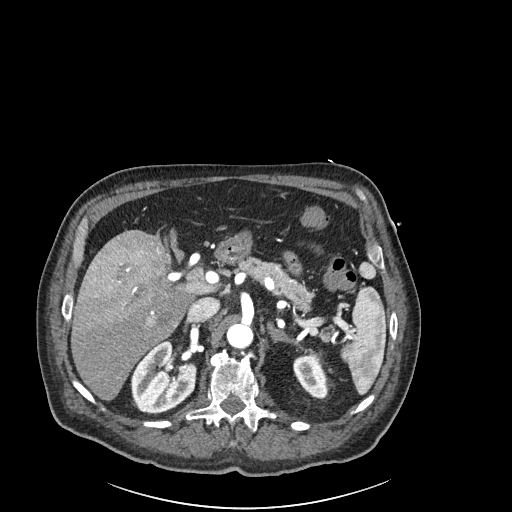
Arterial-phase contrast-enhanced abdominal CT, axial slice 156 of 261 (counted from the lowest slice); tube voltage 120 kVp, convolution kernel I30f; slices 2.00 mm thick, 0.939 mm per pixel.
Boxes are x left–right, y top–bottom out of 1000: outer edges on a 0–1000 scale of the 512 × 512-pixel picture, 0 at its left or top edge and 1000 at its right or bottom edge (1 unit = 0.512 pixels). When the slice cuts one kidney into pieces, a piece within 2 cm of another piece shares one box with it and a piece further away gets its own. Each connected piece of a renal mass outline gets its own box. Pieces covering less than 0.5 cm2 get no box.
Two boxes on this slice (two kidney boxes), listed by box centre from the image's left to its right. (1) Box x 254–387, y 662–811 out of 1000: right kidney (outlined area 3,632 px, about 32.1 cm2). (2) Left kidney at x 572–641, y 691–777 out of 1000 (outlined area 1,078 px, about 9.5 cm2). No renal mass is outlined on this slice.